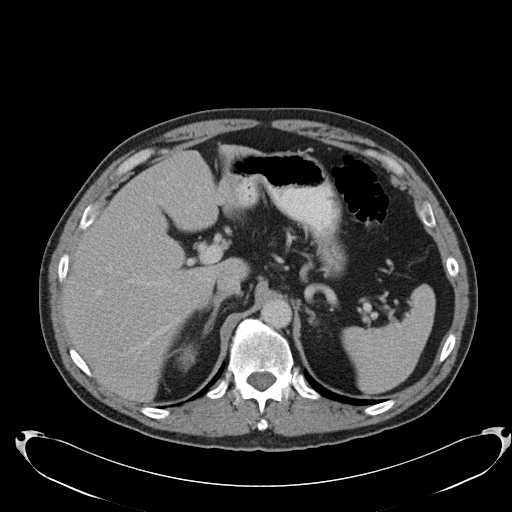
Axial slice 78 of 103 of a contrast-enhanced abdominal CT (slice 1 is the lowest), 120 kVp, kernel B31f; 5.00 mm slice thickness and 0.801 mm pixels.
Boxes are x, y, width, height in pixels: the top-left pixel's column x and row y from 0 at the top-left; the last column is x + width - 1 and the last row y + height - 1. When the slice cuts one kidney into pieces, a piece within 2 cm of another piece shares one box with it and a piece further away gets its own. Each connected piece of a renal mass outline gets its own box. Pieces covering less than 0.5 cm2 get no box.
Right kidney, box x 175, y 345, width 22, height 27 (outlined area 363 px, about 2.3 cm2). No renal mass outline on this slice.